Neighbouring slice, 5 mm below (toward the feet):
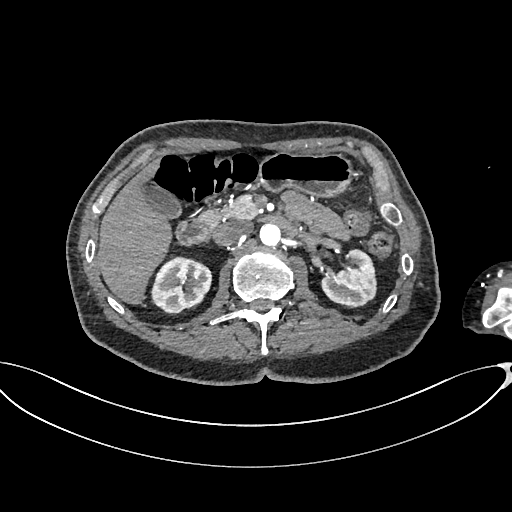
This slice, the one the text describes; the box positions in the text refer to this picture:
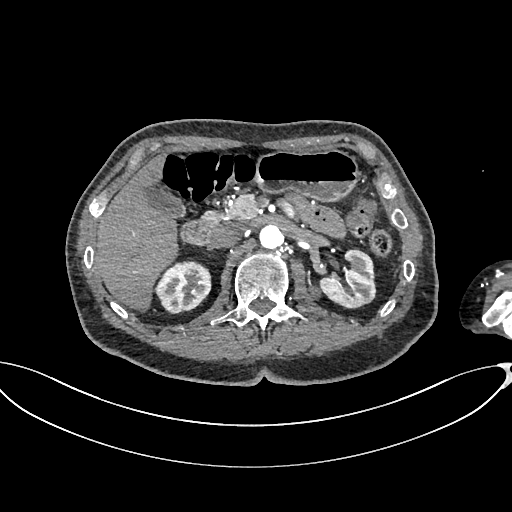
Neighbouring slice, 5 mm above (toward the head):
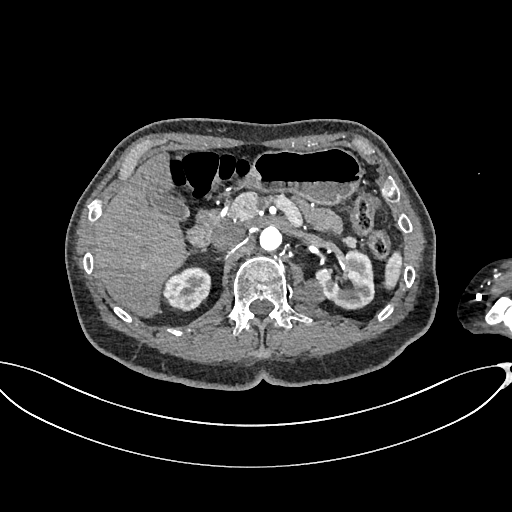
Axial slice 431 of 665 of a contrast-enhanced abdominal CT in the arterial phase (slice 1 is the lowest), 100 kVp, kernel I26f; 1.00 mm slice thickness and 0.828 mm pixels.
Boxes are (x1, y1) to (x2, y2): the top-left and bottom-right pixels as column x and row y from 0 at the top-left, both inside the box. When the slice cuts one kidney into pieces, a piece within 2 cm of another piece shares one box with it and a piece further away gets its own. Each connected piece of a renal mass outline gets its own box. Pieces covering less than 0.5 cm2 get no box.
Two kidney boxes and one renal mass box on this slice; by box centre, from the image's left to its right: (1) Box (155, 260) to (211, 313): right kidney (outlined area 2,292 px, about 15.7 cm2). (2) Box (303, 285) to (320, 299): left renal mass (outlined area 203 px, about 1.4 cm2). (3) Box (319, 249) to (376, 307): left kidney (outlined area 2,255 px, about 15.5 cm2). This slice lies near the end of the left renal mass toward the feet; the slices 5 mm below and 5 mm above it are shown too, and the boxes mark positions on this slice only.